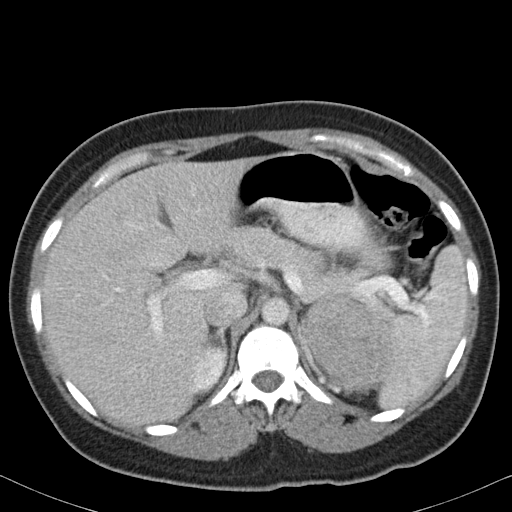
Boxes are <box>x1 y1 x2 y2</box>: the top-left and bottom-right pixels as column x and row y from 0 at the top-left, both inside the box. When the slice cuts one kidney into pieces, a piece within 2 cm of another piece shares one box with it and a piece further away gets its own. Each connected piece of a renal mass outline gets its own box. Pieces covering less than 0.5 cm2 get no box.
Slice 70/82 of a contrast-enhanced abdominal CT in the arterial phase, counting up from the lowest; pixel size 0.625 mm, slice thickness 5.00 mm. One kidney box and one renal mass box on this slice; by box centre, from the image's left to its right: (1) Right kidney at <box>193 345 228 396</box> (outlined area 1,311 px, about 5.1 cm2). (2) Left renal mass at <box>300 293 396 393</box> (outlined area 6,914 px, about 27.0 cm2); it sits over 1 cm from every kidney outline on this slice, but the same outlined renal mass comes within 1 cm of the kidney on another slice.
Scan settings: 120 kVp, B31f reconstruction kernel.